Abdominal CT with intravenous contrast, arterial phase, axial plane, 100 kVp, kernel I40f. Slice 64/89 from the bottom of the scan; thickness 5.00 mm; pixel size 0.885 mm.
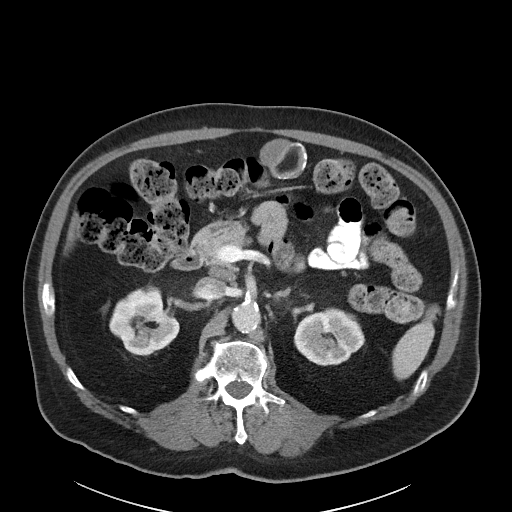
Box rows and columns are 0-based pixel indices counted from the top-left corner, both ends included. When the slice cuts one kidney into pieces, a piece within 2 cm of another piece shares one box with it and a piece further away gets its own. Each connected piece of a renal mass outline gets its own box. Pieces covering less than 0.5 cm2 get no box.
Boxed on this slice (two kidney boxes), listed by box centre from the image's left to its right: (1) Right kidney, box rows 284–355, columns 109–179 (outlined area 3,374 px, about 26.4 cm2). (2) Left kidney at rows 307–365, columns 294–364 (outlined area 3,108 px, about 24.3 cm2). No renal mass is outlined on this slice.